Contrast-enhanced abdominal CT, axial slice 58 of 145 (counted from the lowest slice); tube voltage 120 kVp, convolution kernel B41f; slices 5.00 mm thick, 0.859 mm per pixel.
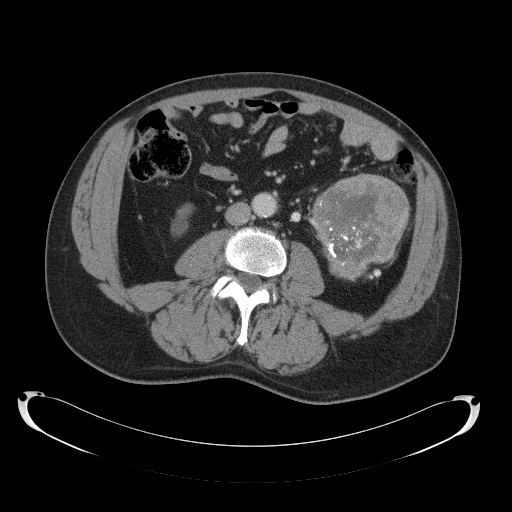
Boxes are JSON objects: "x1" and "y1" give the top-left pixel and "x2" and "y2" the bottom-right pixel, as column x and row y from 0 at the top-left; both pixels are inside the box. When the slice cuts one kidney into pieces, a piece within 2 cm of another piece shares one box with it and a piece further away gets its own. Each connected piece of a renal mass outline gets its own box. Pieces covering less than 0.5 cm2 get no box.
One kidney box and one renal mass box on this slice; by box centre, from the image's left to its right: (1) Right kidney at {"x1": 171, "y1": 203, "x2": 193, "y2": 235} (outlined area 424 px, about 3.1 cm2). (2) Left renal mass, box {"x1": 305, "y1": 173, "x2": 410, "y2": 281} (outlined area 7,814 px, about 57.7 cm2); it sits over 1 cm from every kidney outline on this slice, but the same outlined renal mass comes within 1 cm of the kidney on another slice.